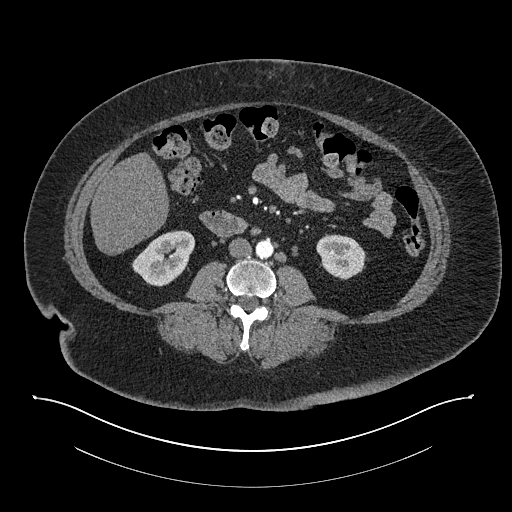
Axial slice 377 of 673 of a contrast-enhanced abdominal CT in the arterial phase (slice 1 is the lowest), 140 kVp, kernel I30f; 1.00 mm slice thickness and 0.957 mm pixels.
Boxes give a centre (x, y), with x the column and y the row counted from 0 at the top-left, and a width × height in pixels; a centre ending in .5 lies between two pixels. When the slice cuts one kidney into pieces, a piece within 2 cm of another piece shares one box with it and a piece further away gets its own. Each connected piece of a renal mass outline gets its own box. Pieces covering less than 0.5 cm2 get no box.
Two boxes on this slice (two kidney boxes), listed by box centre from the image's left to its right. (1) Right kidney, box centre (163, 258), 63 × 57 pixels (outlined area 2,393 px, about 21.9 cm2). (2) Left kidney, box centre (340.5, 256.5), 50 × 46 pixels (outlined area 1,713 px, about 15.7 cm2). This slice carries no renal mass outline.